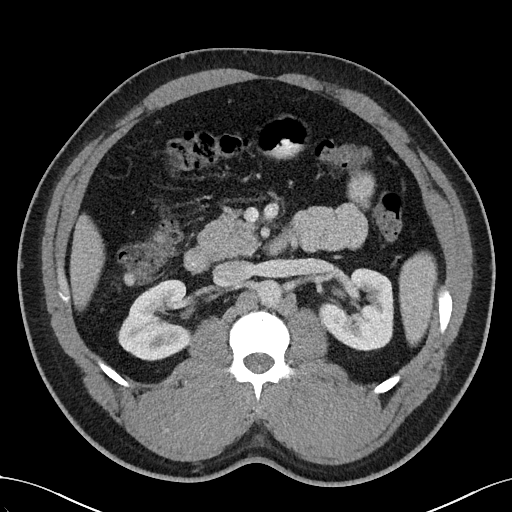
Abdominal CT with intravenous contrast, arterial phase, axial plane, 100 kVp, kernel I40f. Slice 68/102 from the bottom of the scan; thickness 5.00 mm; pixel size 0.781 mm.
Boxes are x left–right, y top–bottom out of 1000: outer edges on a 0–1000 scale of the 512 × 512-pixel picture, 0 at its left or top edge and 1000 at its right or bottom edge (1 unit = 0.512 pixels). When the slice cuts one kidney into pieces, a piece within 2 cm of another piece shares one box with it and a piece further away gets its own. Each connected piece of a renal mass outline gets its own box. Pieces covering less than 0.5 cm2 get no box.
Two boxes on this slice (two kidney boxes), listed by box centre from the image's left to its right. (1) Right kidney, box x 229–375, y 545–707 out of 1000 (outlined area 4,255 px, about 26.0 cm2). (2) Box x 621–770, y 523–688 out of 1000: left kidney (outlined area 4,517 px, about 27.6 cm2). This slice carries no renal mass outline.